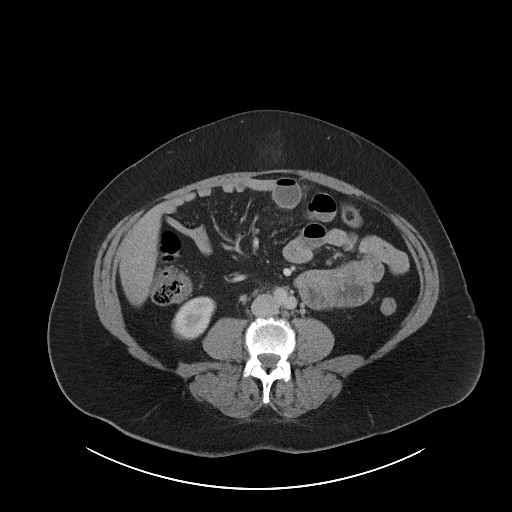
Arterial-phase contrast-enhanced abdominal CT, axial slice 43 of 86 (counted from the lowest slice); tube voltage 120 kVp, convolution kernel I40f; slices 5.00 mm thick, 0.977 mm per pixel.
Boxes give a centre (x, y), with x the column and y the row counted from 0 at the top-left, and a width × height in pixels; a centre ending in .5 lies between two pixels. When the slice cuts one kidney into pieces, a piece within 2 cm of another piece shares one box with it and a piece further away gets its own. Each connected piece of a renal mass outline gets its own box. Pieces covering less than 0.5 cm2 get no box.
Right kidney, box centre (193.5, 317.5), 44 × 44 pixels (outlined area 1,385 px, about 13.2 cm2). No renal mass outline on this slice.